Abdominal CT with intravenous contrast, arterial phase, axial plane, 100 kVp, kernel I40f. Slice 56/89 from the bottom of the scan; thickness 5.00 mm; pixel size 0.885 mm.
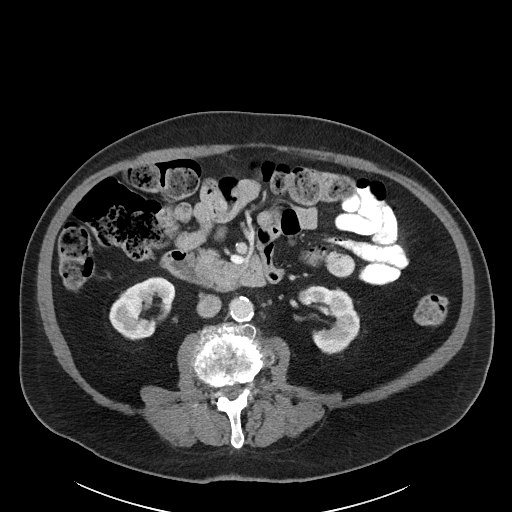
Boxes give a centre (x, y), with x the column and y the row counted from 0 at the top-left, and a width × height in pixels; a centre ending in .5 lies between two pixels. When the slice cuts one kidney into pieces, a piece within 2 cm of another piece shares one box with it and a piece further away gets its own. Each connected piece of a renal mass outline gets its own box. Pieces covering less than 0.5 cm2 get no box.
Two boxes on this slice (two kidney boxes), listed by box centre from the image's left to its right. (1) Right kidney, box centre (142, 308), 67 × 65 pixels (outlined area 2,771 px, about 21.7 cm2). (2) Box centre (328.5, 319.5), 62 × 70 pixels: left kidney (outlined area 2,586 px, about 20.2 cm2). No renal mass is outlined on this slice.